Arterial-phase contrast-enhanced abdominal CT, axial slice 54 of 285 (counted from the lowest slice); tube voltage 120 kVp, convolution kernel B31f; slices 2.00 mm thick, 0.762 mm per pixel.
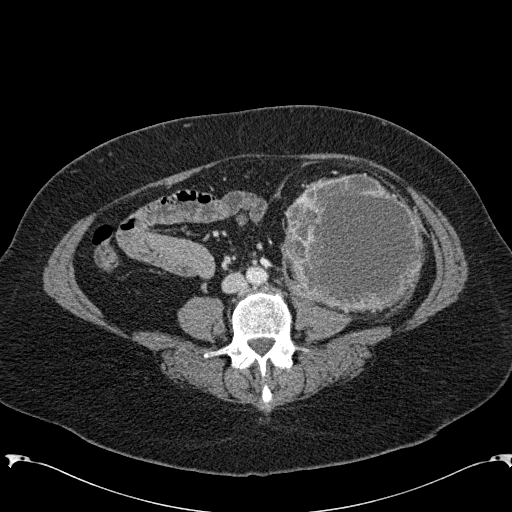
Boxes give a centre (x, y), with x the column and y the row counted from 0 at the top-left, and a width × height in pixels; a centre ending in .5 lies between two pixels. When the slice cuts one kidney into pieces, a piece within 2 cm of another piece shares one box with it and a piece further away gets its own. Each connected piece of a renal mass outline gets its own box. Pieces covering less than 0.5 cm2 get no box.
Left renal mass, box centre (353, 244), 143 × 143 pixels (outlined area 15,646 px, about 90.8 cm2); no kidney is outlined on this slice, but the same outlined renal mass comes within 1 cm of the kidney on another slice.